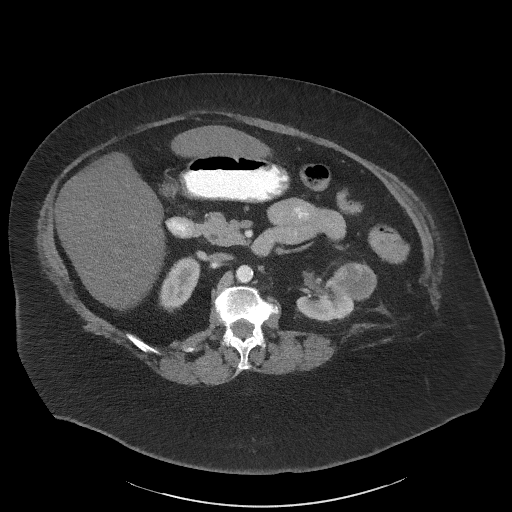
One axial slice (36 of 61, counting up from the lowest) of an arterial-phase abdominal CT acquired with 140 kVp, kernel I41f; each pixel is 0.947 mm and the slice is 3.00 mm thick.
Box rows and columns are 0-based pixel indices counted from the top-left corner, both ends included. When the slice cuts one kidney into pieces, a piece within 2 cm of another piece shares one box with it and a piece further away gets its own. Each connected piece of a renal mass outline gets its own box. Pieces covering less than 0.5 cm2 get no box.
Boxed on this slice (two kidney boxes and one renal mass box), listed by box centre from the image's left to its right: (1) Box rows 257–310, columns 159–200: right kidney (outlined area 1,539 px, about 13.8 cm2). (2) Box rows 279–322, columns 296–354: left kidney (outlined area 1,660 px, about 14.9 cm2). (3) Box rows 262–300, columns 330–376: left renal mass (outlined area 1,306 px, about 11.7 cm2).